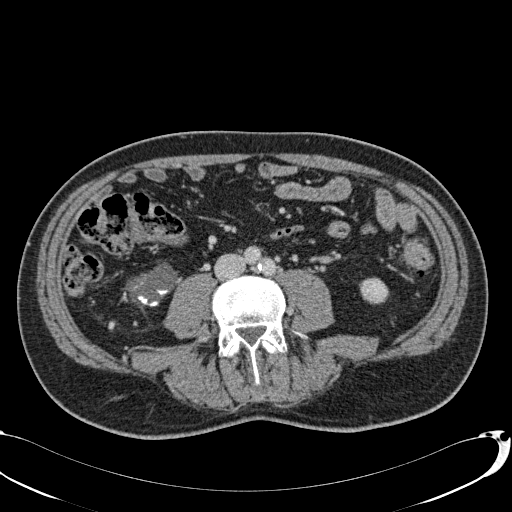
Contrast-enhanced abdominal CT, axial slice 10 of 113 (counted from the lowest slice); tube voltage 120 kVp, convolution kernel B31f; slices 2.00 mm thick, 0.742 mm per pixel.
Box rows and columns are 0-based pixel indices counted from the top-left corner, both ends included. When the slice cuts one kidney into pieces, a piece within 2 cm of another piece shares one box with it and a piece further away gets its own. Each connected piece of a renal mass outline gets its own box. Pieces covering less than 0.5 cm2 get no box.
Two boxes on this slice (two kidney boxes), listed by box centre from the image's left to its right. (1) Box rows 262–308, columns 127–176: right kidney (outlined area 1,475 px, about 8.1 cm2). (2) Box rows 277–304, columns 359–389: left kidney (outlined area 653 px, about 3.6 cm2). No renal mass outline on this slice.